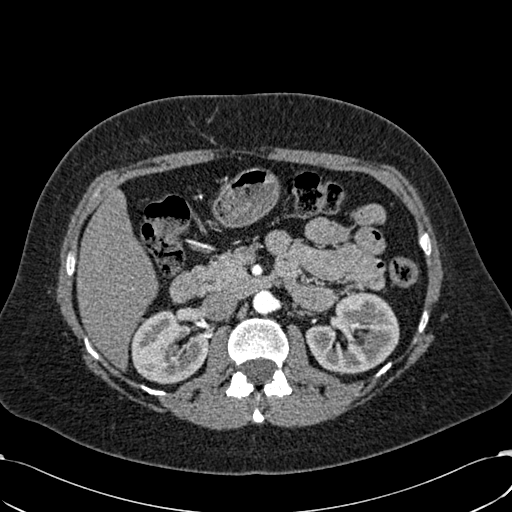
Arterial-phase contrast-enhanced abdominal CT, axial slice 379 of 532 (counted from the lowest slice); tube voltage 120 kVp, convolution kernel B30f; slices 1.00 mm thick, 0.713 mm per pixel.
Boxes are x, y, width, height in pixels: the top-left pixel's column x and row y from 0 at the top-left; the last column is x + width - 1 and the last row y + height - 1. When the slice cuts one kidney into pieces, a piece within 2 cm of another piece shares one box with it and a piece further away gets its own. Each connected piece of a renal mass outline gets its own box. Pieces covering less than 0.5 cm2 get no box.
Two kidney boxes on this slice; by box centre, from the image's left to its right: (1) Right kidney at x 131, y 310, width 77, height 75 (outlined area 4,206 px, about 21.4 cm2). (2) Box x 305, y 291, width 95, height 84: left kidney (outlined area 5,412 px, about 27.5 cm2). No renal mass is outlined on this slice.